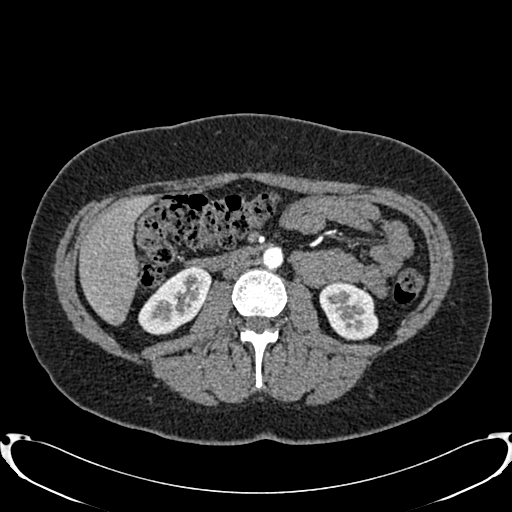
One axial slice (415 of 719, counting up from the lowest) of an arterial-phase abdominal CT acquired with 120 kVp, kernel B20f; each pixel is 0.766 mm and the slice is 1.00 mm thick.
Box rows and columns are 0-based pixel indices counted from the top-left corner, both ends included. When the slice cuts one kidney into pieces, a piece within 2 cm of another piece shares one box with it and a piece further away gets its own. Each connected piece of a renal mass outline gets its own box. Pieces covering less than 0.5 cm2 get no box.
Boxed on this slice (two kidney boxes), listed by box centre from the image's left to its right: (1) Right kidney, box rows 266–335, columns 138–211 (outlined area 3,208 px, about 18.8 cm2). (2) Left kidney at rows 282–340, columns 319–378 (outlined area 2,620 px, about 15.4 cm2). No renal mass is outlined on this slice.